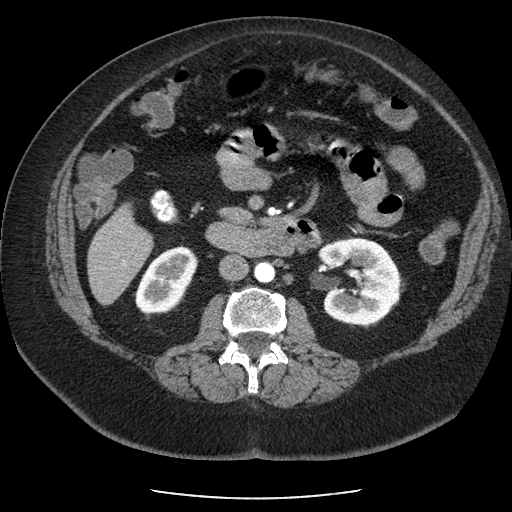
Arterial-phase contrast-enhanced abdominal CT, axial slice 116 of 186 (counted from the lowest slice); tube voltage 120 kVp, convolution kernel STANDARD; slices 2.50 mm thick, 0.742 mm per pixel.
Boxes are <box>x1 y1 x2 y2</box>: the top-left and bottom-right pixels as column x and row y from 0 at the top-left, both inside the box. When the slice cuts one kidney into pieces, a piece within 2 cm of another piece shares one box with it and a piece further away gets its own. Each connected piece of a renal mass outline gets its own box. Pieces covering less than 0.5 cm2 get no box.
Two boxes on this slice (two kidney boxes), listed by box centre from the image's left to its right. (1) At <box>134 245 197 314</box>: right kidney (outlined area 2,957 px, about 16.3 cm2). (2) Left kidney: <box>317 236 402 326</box> (outlined area 5,778 px, about 31.8 cm2). No renal mass is outlined on this slice.